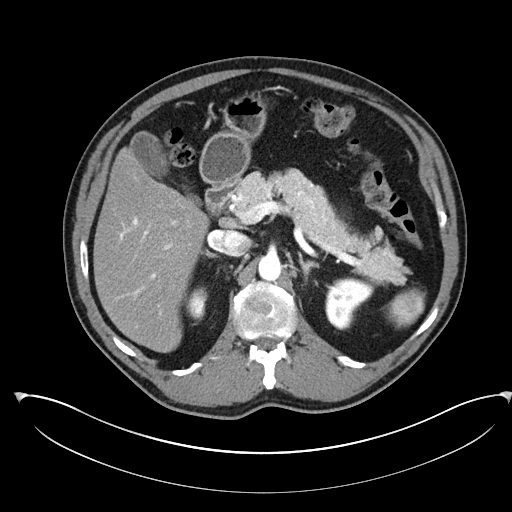
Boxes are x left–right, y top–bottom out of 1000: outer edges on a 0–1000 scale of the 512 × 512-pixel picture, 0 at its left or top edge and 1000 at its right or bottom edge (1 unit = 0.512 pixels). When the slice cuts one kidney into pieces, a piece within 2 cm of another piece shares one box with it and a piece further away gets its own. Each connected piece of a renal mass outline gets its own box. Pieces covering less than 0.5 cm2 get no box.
This is axial slice 154 of 302 (slice 1 is the lowest) of an arterial-phase abdominal CT with contrast; each pixel is 0.875 mm and the slice is 5.00 mm thick. Boxed on this slice (two kidney boxes), listed by box centre from the image's left to its right: (1) Right kidney, box x 363–406, y 561–635 out of 1000 (outlined area 596 px, about 4.6 cm2). (2) Left kidney at x 635–734, y 541–646 out of 1000 (outlined area 1,770 px, about 13.6 cm2). This slice carries no renal mass outline.
Scan settings: 100 kVp, I30f reconstruction kernel.